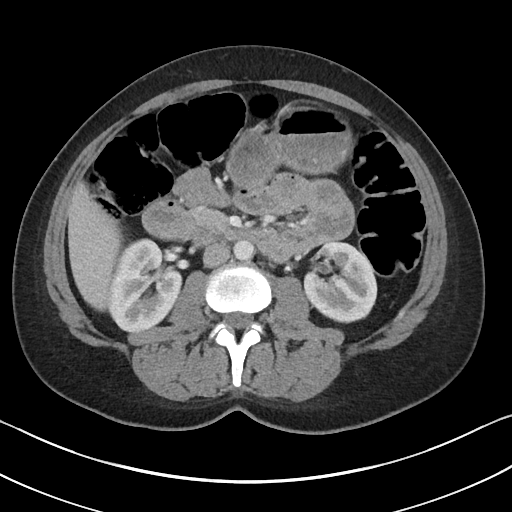
Abdominal CT with intravenous contrast, arterial phase, axial plane, 100 kVp, kernel I40f. Slice 59/90 from the bottom of the scan; thickness 5.00 mm; pixel size 0.703 mm.
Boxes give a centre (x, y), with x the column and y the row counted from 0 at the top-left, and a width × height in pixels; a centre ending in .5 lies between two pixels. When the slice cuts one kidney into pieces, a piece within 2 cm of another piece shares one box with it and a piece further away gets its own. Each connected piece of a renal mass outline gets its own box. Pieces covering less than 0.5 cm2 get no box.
Two boxes on this slice (two kidney boxes), listed by box centre from the image's left to its right. (1) Right kidney in a box with centre (144.5, 285), 76 × 95 pixels (outlined area 5,261 px, about 26.0 cm2). (2) Box centre (340, 282), 75 × 83 pixels: left kidney (outlined area 4,622 px, about 22.9 cm2). No renal mass outline on this slice.